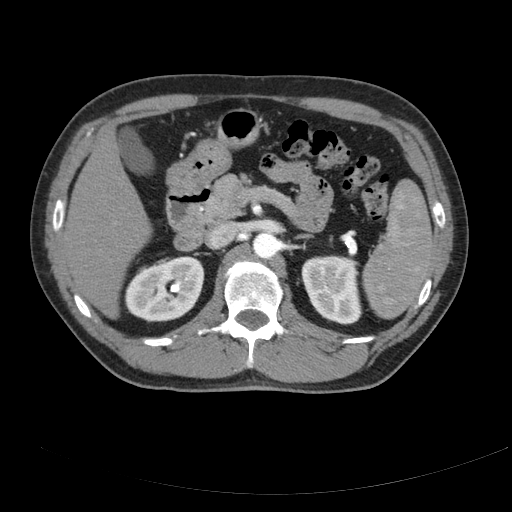
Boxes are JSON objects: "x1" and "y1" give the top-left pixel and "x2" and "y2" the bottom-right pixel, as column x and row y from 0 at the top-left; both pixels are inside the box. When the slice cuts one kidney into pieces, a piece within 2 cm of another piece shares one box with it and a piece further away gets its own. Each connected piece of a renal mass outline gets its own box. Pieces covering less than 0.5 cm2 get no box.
Contrast-enhanced abdominal CT, axial slice 119 of 178 (counted from the lowest slice); 3.00 mm thick, 0.818 mm per pixel. Boxed on this slice (two kidney boxes), listed by box centre from the image's left to its right: (1) Right kidney at {"x1": 124, "y1": 256, "x2": 204, "y2": 322} (outlined area 3,987 px, about 26.7 cm2). (2) Left kidney, box {"x1": 301, "y1": 255, "x2": 362, "y2": 324} (outlined area 3,339 px, about 22.4 cm2). No renal mass outline on this slice.
Tube voltage 120 kVp; convolution kernel B.